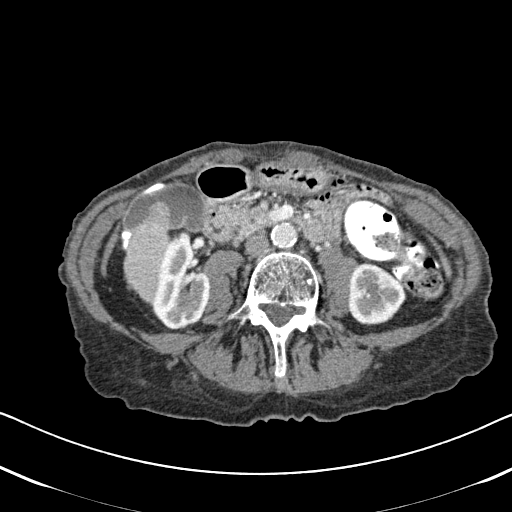
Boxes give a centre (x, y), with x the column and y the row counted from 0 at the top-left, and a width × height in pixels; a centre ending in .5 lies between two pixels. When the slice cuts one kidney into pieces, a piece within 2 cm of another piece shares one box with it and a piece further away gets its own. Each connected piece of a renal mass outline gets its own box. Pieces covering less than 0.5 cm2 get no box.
This is axial slice 256 of 620 (slice 1 is the lowest) of an arterial-phase abdominal CT with contrast; each pixel is 0.637 mm and the slice is 2.00 mm thick. Two kidney boxes on this slice; by box centre, from the image's left to its right: (1) Right kidney in a box with centre (180.5, 280), 60 × 99 pixels (outlined area 4,207 px, about 17.1 cm2). (2) Box centre (376.5, 294), 60 × 63 pixels: left kidney (outlined area 2,814 px, about 11.4 cm2). This slice carries no renal mass outline.
Tube voltage 120 kVp; convolution kernel B31f.